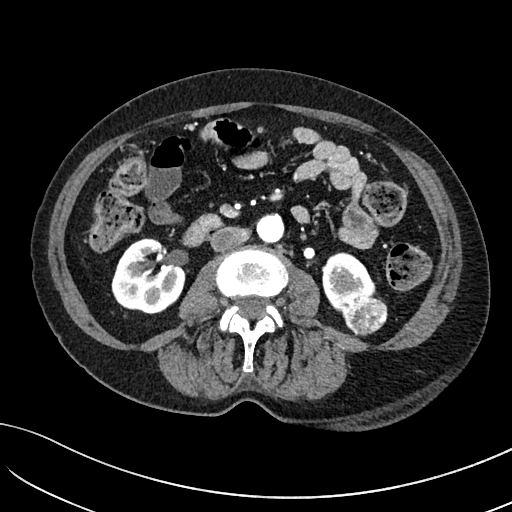
Axial slice 36 of 234 of a contrast-enhanced abdominal CT in the arterial phase (slice 1 is the lowest), 100 kVp, kernel I40f; 2.00 mm slice thickness and 0.699 mm pixels.
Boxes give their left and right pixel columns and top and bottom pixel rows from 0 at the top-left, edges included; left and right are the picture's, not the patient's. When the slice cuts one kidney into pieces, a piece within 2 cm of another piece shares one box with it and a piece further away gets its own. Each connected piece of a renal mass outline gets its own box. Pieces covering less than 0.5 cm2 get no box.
Boxed on this slice (two kidney boxes and one renal mass box), listed by box centre from the image's left to its right: (1) Right kidney in the box with left 111, top 238, right 185, bottom 314 (outlined area 4,121 px, about 20.1 cm2). (2) Box with left 322, top 252, right 375, bottom 311: left kidney (outlined area 1,913 px, about 9.4 cm2). (3) Box with left 339, top 292, right 387, bottom 335: left renal mass (outlined area 1,639 px, about 8.0 cm2).